Arterial-phase contrast-enhanced abdominal CT, axial slice 142 of 274 (counted from the lowest slice); tube voltage 120 kVp, convolution kernel B30f; slices 2.00 mm thick, 0.809 mm per pixel.
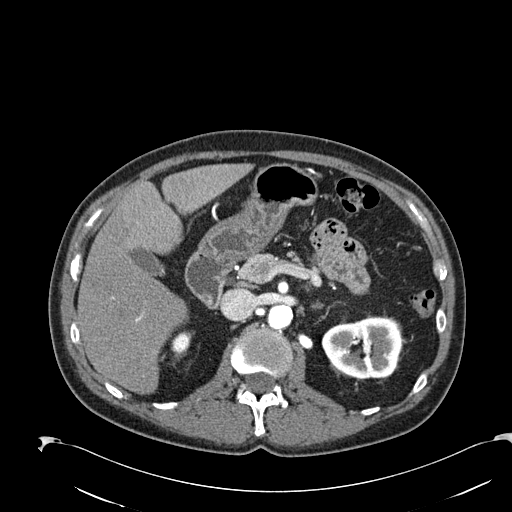
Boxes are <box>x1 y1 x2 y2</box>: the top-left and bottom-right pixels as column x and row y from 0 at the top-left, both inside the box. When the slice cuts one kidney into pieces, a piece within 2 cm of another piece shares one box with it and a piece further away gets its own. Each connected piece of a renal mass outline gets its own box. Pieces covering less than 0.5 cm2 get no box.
Two kidney boxes on this slice; by box centre, from the image's left to its right: (1) Right kidney at <box>171 330 191 354</box> (outlined area 378 px, about 2.5 cm2). (2) Left kidney at <box>321 316 402 378</box> (outlined area 4,001 px, about 26.2 cm2). No renal mass outline on this slice.